Abdominal CT with intravenous contrast, arterial phase, axial plane, 120 kVp, kernel B30f. Slice 53/97 from the bottom of the scan; thickness 5.00 mm; pixel size 0.824 mm.
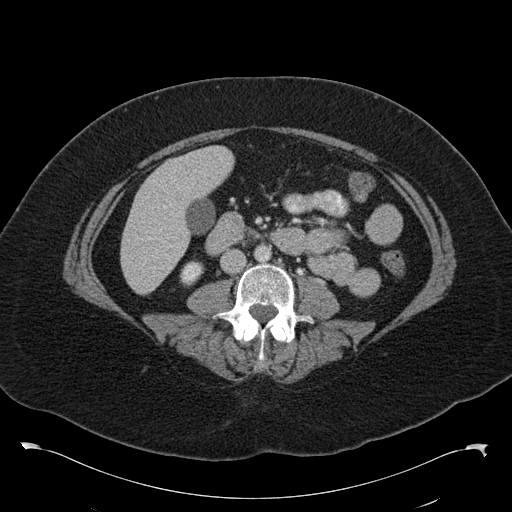
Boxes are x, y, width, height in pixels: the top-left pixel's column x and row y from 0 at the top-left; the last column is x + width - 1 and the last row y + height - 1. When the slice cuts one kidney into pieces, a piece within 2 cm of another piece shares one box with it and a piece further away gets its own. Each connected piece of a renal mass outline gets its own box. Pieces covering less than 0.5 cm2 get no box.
Box x 179, y 260, width 26, height 27: right kidney (outlined area 470 px, about 3.2 cm2). No renal mass is outlined on this slice.